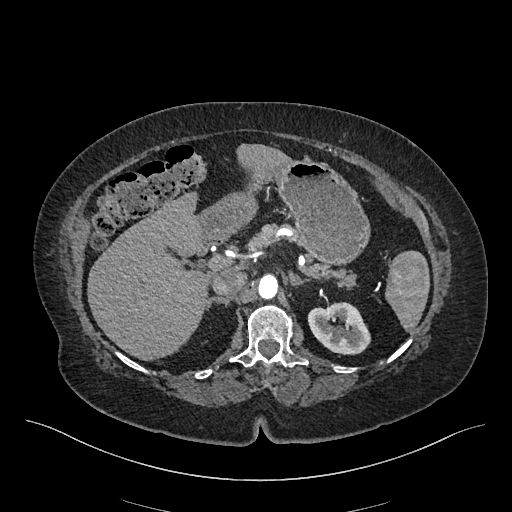
Abdominal CT with intravenous contrast, arterial phase, axial plane, 120 kVp, kernel I26f. Slice 321/548 from the bottom of the scan; thickness 1.00 mm; pixel size 0.852 mm.
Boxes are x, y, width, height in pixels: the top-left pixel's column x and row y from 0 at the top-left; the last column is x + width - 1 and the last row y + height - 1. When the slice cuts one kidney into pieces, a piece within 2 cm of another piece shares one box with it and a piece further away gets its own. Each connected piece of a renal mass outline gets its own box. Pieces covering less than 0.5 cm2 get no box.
Left kidney, box x 307, y 302, width 64, height 53 (outlined area 2,436 px, about 17.7 cm2). No renal mass is outlined on this slice.